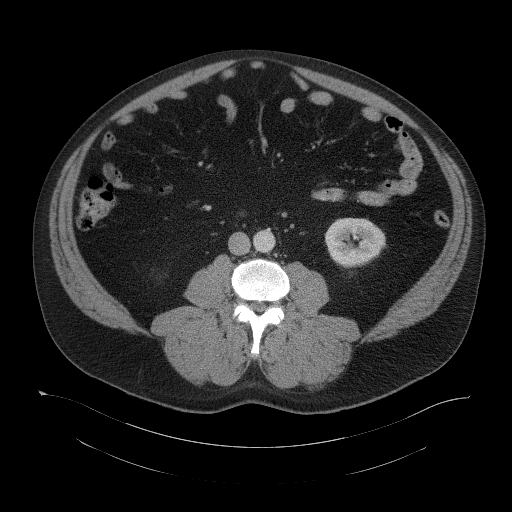
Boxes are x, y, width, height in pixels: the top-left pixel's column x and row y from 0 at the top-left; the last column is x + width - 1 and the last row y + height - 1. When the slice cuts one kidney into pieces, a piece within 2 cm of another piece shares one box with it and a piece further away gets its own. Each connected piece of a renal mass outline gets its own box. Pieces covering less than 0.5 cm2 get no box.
Contrast-enhanced abdominal CT, axial slice 56 of 104 (counted from the lowest slice); 5.00 mm thick, 0.977 mm per pixel. Left kidney, box x 325, y 217, width 61, height 52 (outlined area 2,409 px, about 23.0 cm2). This slice carries no renal mass outline.
Acquired at 120 kVp and reconstructed with the B41f kernel.